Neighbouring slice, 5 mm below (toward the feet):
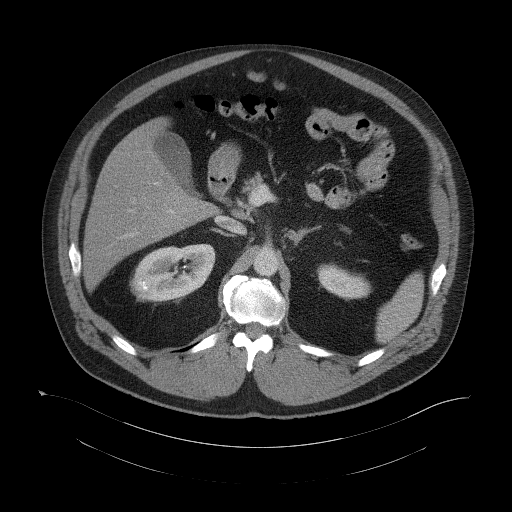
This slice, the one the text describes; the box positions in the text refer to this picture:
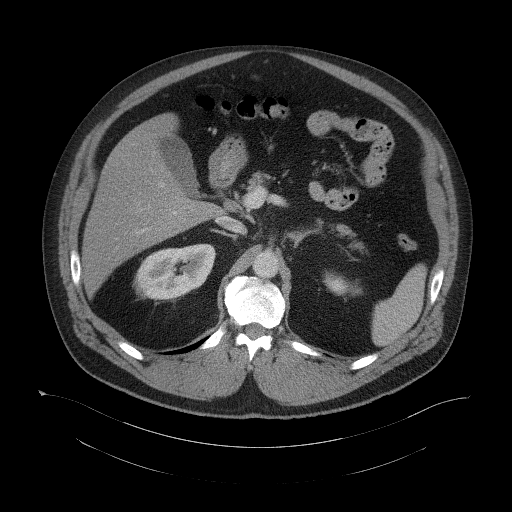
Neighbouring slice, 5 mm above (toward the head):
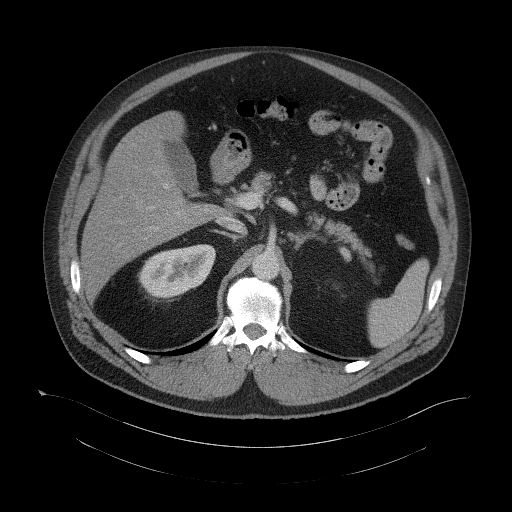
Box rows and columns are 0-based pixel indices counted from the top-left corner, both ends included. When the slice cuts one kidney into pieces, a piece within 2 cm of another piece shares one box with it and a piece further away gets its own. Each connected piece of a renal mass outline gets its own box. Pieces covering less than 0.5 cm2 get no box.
Slice 75/104 of a contrast-enhanced abdominal CT, counting up from the lowest; pixel size 0.977 mm, slice thickness 5.00 mm. Two kidney boxes and one renal mass box on this slice; by box centre, from the image's left to its right: (1) Right renal mass at rows 279–291, columns 137–149 (outlined area 140 px, about 1.3 cm2). (2) Right kidney at rows 243–300, columns 135–215 (outlined area 3,272 px, about 31.2 cm2). (3) Left kidney at rows 272–295, columns 323–361 (outlined area 574 px, about 5.5 cm2). This slice lies near the end of the right renal mass toward the head; the slices 5 mm below and 5 mm above it are shown too, and the boxes mark positions on this slice only.
Scan settings: 120 kVp, B41f reconstruction kernel.